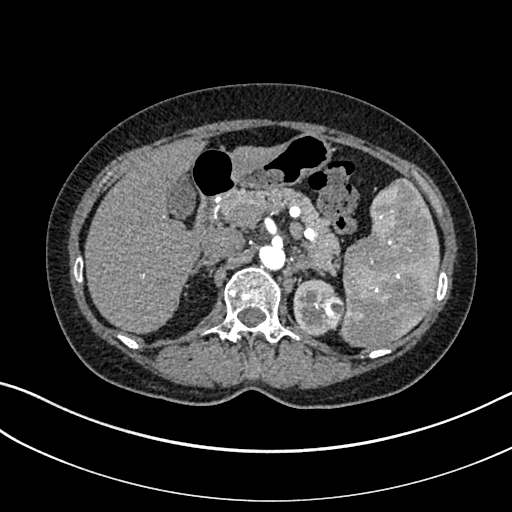
Abdominal CT with intravenous contrast, arterial phase, axial plane, 100 kVp, kernel I30f. Slice 232/325 from the bottom of the scan; thickness 1.00 mm; pixel size 0.703 mm.
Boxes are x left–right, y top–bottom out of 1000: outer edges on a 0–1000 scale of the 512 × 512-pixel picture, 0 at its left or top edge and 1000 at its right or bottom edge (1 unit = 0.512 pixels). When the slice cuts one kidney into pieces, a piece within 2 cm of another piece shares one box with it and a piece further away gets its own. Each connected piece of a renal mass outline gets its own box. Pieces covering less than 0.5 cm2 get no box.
Boxed on this slice (one kidney box and one renal mass box), listed by box centre from the image's left to its right: (1) Box x 572–654, y 543–658 out of 1000: left kidney (outlined area 1,485 px, about 7.3 cm2). (2) Left renal mass at x 617–674, y 572–645 out of 1000 (outlined area 800 px, about 4.0 cm2).